Axial slice 251 of 470 of a contrast-enhanced abdominal CT (slice 1 is the lowest), 100 kVp, kernel I40f; 2.00 mm slice thickness and 0.824 mm pixels.
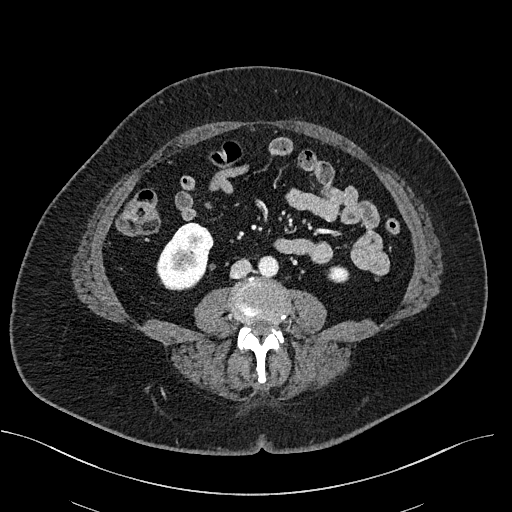
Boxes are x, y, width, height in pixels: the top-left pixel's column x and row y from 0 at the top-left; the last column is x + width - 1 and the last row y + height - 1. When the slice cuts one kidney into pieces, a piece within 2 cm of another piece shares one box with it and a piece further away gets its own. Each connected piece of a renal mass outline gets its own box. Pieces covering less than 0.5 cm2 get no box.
Boxed on this slice (two kidney boxes), listed by box centre from the image's left to its right: (1) Box x 156, y 222, width 58, height 69: right kidney (outlined area 2,797 px, about 19.0 cm2). (2) Box x 327, y 265, width 23, height 18: left kidney (outlined area 309 px, about 2.1 cm2). No renal mass outline on this slice.